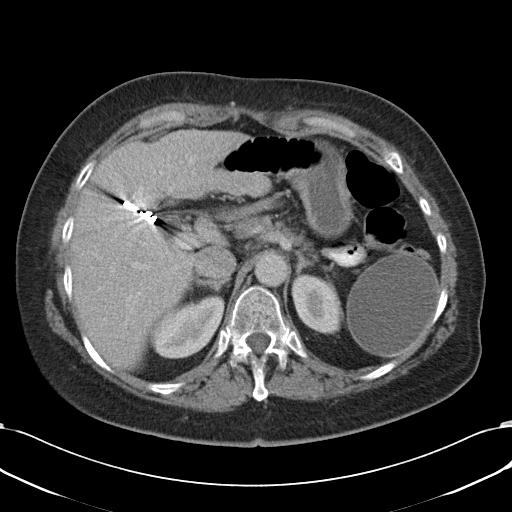
Contrast-enhanced abdominal CT, axial slice 72 of 90 (counted from the lowest slice); tube voltage 120 kVp, convolution kernel B31f; slices 5.00 mm thick, 0.707 mm per pixel.
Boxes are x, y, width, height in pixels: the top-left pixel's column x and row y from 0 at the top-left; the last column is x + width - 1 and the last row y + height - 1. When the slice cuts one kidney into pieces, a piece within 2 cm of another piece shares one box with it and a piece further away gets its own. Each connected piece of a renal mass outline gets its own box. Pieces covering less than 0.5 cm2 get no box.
Boxed on this slice (two kidney boxes), listed by box centre from the image's left to its right: (1) Box x 155, y 296, width 69, height 63: right kidney (outlined area 2,853 px, about 14.3 cm2). (2) Box x 292, y 275, width 46, height 59: left kidney (outlined area 2,009 px, about 10.0 cm2). No renal mass outline on this slice.